Abdominal CT with intravenous contrast, arterial phase, axial plane, 120 kVp, kernel I30f. Slice 520/705 from the bottom of the scan; thickness 1.00 mm; pixel size 0.703 mm.
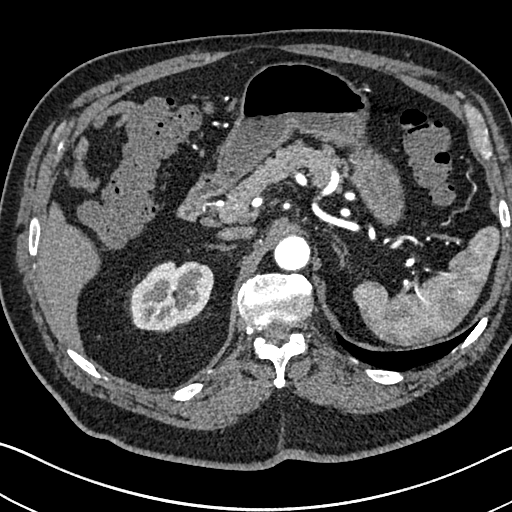
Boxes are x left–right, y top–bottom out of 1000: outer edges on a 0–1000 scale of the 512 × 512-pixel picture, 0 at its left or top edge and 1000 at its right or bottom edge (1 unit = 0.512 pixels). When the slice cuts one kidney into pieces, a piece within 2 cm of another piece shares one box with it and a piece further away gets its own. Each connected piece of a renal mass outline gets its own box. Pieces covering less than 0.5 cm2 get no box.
Right kidney, box x 256–418, y 508–646 out of 1000 (outlined area 4,479 px, about 22.1 cm2). This slice carries no renal mass outline.